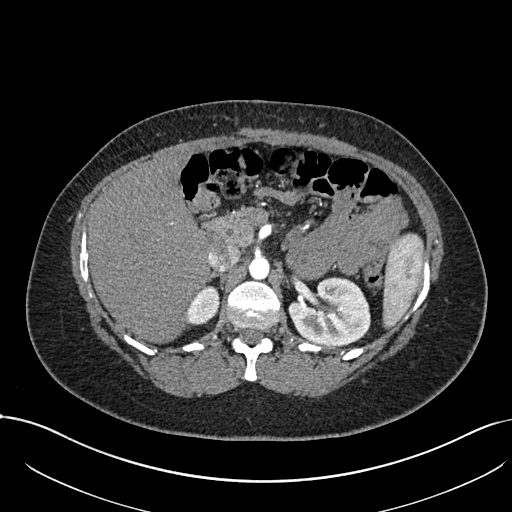
Axial slice 487 of 738 of a contrast-enhanced abdominal CT in the arterial phase (slice 1 is the lowest), 120 kVp, kernel I30f; 1.00 mm slice thickness and 0.789 mm pixels.
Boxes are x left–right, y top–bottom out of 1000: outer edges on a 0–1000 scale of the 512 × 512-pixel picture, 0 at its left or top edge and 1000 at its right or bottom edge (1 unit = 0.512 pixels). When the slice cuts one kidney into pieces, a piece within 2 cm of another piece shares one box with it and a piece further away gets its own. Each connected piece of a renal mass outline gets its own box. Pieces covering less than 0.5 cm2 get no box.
Two boxes on this slice (two kidney boxes), listed by box centre from the image's left to its right. (1) Box x 361–430, y 557–637 out of 1000: right kidney (outlined area 1,035 px, about 6.4 cm2). (2) Box x 563–725, y 541–676 out of 1000: left kidney (outlined area 4,311 px, about 26.8 cm2). This slice carries no renal mass outline.